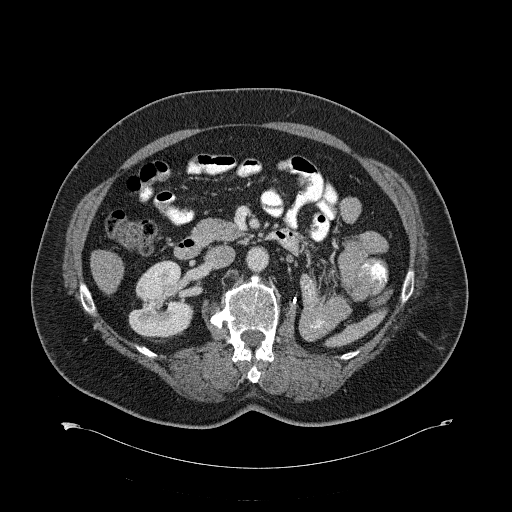
One axial slice (364 of 734, counting up from the lowest) of a contrast-enhanced abdominal CT acquired with 120 kVp, kernel B31f; each pixel is 0.971 mm and the slice is 2.00 mm thick.
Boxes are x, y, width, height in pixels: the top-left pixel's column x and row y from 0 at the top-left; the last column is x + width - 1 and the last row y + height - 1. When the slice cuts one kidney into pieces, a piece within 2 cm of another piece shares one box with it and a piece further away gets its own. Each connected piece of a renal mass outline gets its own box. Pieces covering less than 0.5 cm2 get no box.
Right kidney, box x 128, y 260, width 65, height 79 (outlined area 3,563 px, about 33.6 cm2). No renal mass is outlined on this slice.